Axial slice 215 of 620 of a contrast-enhanced abdominal CT in the arterial phase (slice 1 is the lowest), 120 kVp, kernel B31f; 2.00 mm slice thickness and 0.637 mm pixels.
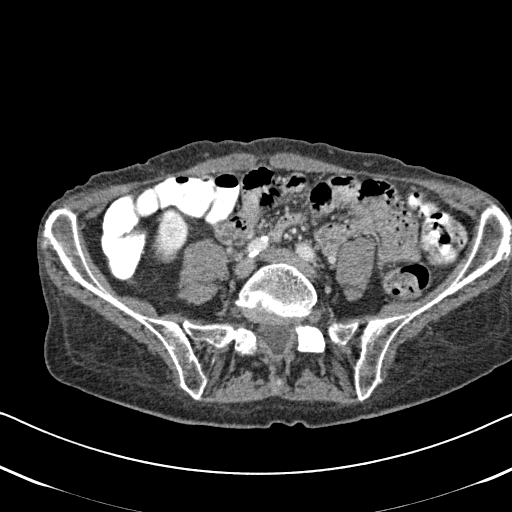
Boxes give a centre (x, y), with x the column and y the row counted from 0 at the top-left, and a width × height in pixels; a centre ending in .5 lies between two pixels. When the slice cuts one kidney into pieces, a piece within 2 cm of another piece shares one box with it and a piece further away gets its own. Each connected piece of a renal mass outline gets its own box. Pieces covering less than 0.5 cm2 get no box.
Right kidney in a box with centre (171, 235), 39 × 57 pixels (outlined area 1,537 px, about 6.2 cm2). No renal mass outline on this slice.